Arterial-phase contrast-enhanced abdominal CT, axial slice 89 of 164 (counted from the lowest slice); tube voltage 130 kVp, convolution kernel B30s; slices 3.00 mm thick, 0.664 mm per pixel.
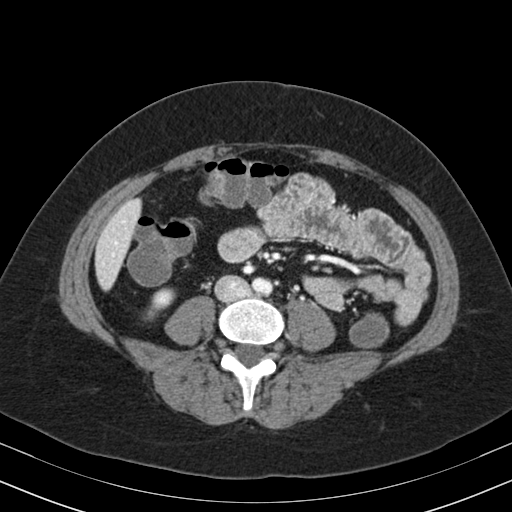
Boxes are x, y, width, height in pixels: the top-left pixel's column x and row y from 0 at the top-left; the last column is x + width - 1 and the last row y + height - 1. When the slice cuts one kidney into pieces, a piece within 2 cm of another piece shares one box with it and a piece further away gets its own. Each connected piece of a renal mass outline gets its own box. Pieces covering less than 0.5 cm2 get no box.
Right kidney, box x 146, y 293, width 25, height 26 (outlined area 373 px, about 1.6 cm2). No renal mass outline on this slice.